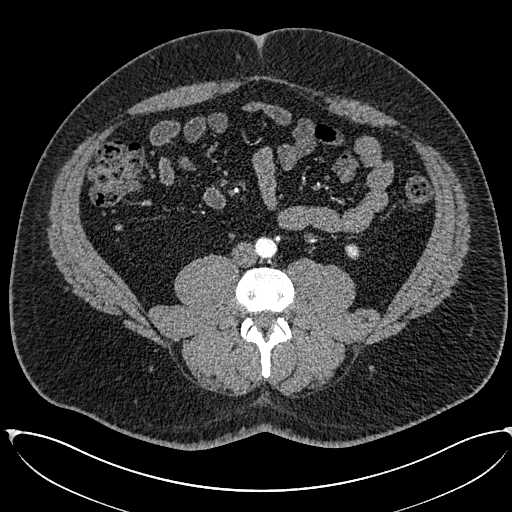
Arterial-phase contrast-enhanced abdominal CT, axial slice 217 of 673 (counted from the lowest slice); tube voltage 120 kVp, convolution kernel I30f; slices 1.00 mm thick, 0.855 mm per pixel.
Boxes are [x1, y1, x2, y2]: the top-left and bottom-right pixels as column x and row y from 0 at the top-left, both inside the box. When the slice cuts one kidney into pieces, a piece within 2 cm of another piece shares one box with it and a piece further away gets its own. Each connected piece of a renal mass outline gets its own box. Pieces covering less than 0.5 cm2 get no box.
Left kidney, box [345, 243, 359, 259] (outlined area 190 px, about 1.4 cm2). No renal mass is outlined on this slice.